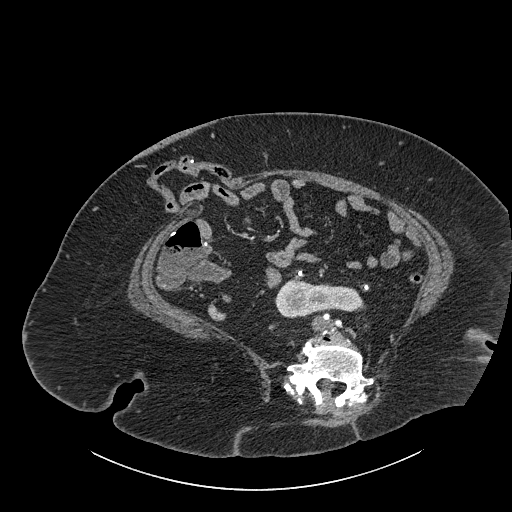
Abdominal CT with intravenous contrast, axial plane, 140 kVp, kernel I30f. Slice 412/834 from the bottom of the scan; thickness 1.00 mm; pixel size 0.977 mm.
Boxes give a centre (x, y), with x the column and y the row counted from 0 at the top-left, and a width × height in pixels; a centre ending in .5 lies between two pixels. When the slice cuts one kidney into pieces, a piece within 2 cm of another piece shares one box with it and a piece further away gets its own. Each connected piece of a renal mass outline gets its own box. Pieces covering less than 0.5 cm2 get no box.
Kidney crossing the body midline, box centre (319.5, 298.5), 92 × 40 pixels (outlined area 2,493 px, about 23.8 cm2). This slice carries no renal mass outline.